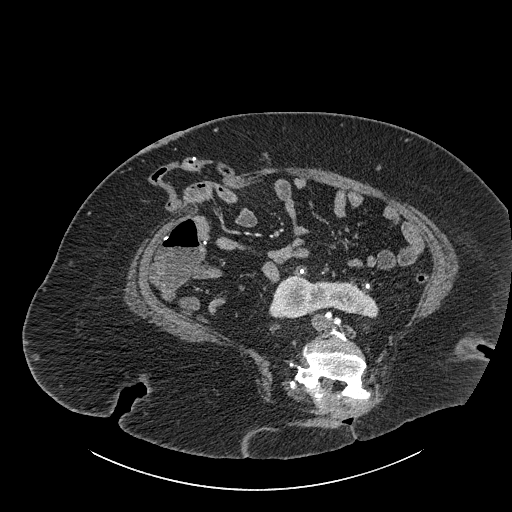
Contrast-enhanced abdominal CT, axial slice 423 of 834 (counted from the lowest slice); tube voltage 140 kVp, convolution kernel I30f; slices 1.00 mm thick, 0.977 mm per pixel.
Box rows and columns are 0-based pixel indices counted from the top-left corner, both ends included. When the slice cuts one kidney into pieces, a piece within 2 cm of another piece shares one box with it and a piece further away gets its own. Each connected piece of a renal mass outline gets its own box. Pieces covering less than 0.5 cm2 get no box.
Box rows 275–318, columns 269–378: kidney crossing the body midline (outlined area 3,362 px, about 32.1 cm2). No renal mass is outlined on this slice.